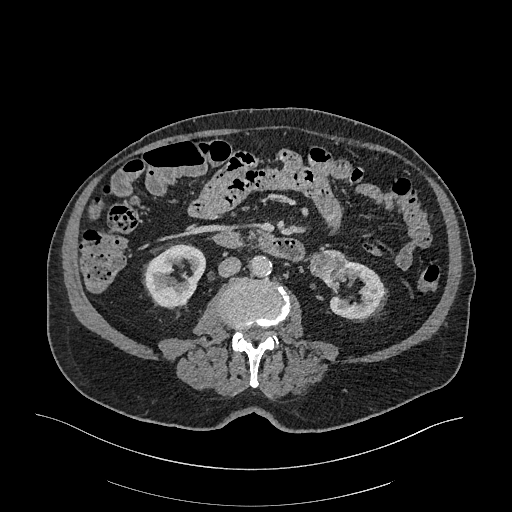
Axial slice 116 of 470 of a contrast-enhanced abdominal CT in the arterial phase (slice 1 is the lowest), 120 kVp, kernel I26f; 1.00 mm slice thickness and 0.938 mm pixels.
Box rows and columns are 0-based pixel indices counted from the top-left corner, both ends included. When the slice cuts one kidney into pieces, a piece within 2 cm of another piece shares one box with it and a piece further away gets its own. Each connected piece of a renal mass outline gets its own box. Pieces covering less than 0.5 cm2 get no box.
Three boxes on this slice (two kidney boxes and one renal mass box), listed by box centre from the image's left to its right. (1) Right kidney, box rows 244–308, columns 143–205 (outlined area 2,875 px, about 25.3 cm2). (2) Left renal mass at rows 249–281, columns 308–346 (outlined area 944 px, about 8.3 cm2). (3) Box rows 258–319, columns 322–384: left kidney (outlined area 2,135 px, about 18.8 cm2).